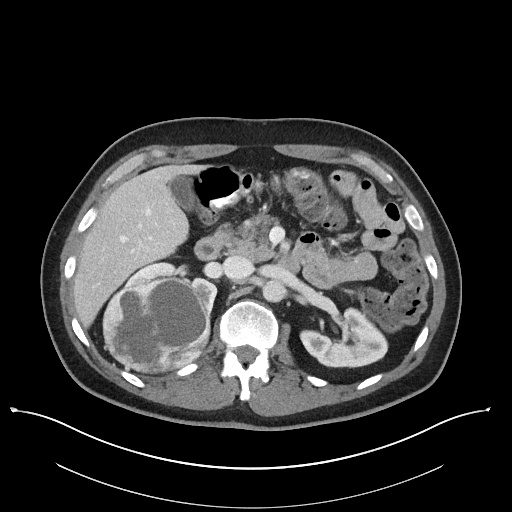
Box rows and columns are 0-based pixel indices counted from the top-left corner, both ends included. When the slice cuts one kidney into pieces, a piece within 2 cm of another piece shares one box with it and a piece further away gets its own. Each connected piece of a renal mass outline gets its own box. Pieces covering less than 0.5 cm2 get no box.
Slice 73/101 of a contrast-enhanced abdominal CT, counting up from the lowest; pixel size 0.879 mm, slice thickness 5.00 mm. Boxed on this slice (two kidney boxes and one renal mass box), listed by box centre from the image's left to its right: (1) Box rows 277–374, columns 102–210: right renal mass (outlined area 8,382 px, about 64.7 cm2). (2) Right kidney, box rows 262–319, columns 122–216 (outlined area 1,420 px, about 11.0 cm2). (3) Left kidney at rows 306–367, columns 299–388 (outlined area 3,522 px, about 27.2 cm2).
Scan settings: 100 kVp, I40f reconstruction kernel.